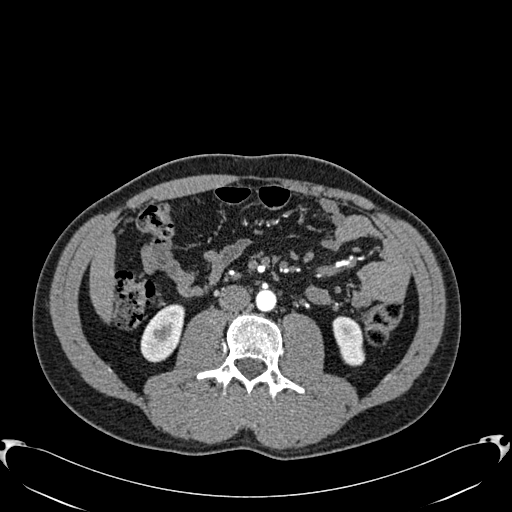
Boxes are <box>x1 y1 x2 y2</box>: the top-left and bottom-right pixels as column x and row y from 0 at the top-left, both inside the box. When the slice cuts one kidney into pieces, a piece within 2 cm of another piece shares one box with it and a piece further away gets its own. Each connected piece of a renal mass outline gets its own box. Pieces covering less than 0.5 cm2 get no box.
Slice 282/512 of a contrast-enhanced abdominal CT in the arterial phase, counting up from the lowest; pixel size 0.771 mm, slice thickness 1.00 mm. Boxed on this slice (two kidney boxes), listed by box centre from the image's left to its right: (1) At <box>140 304 184 362</box>: right kidney (outlined area 1,850 px, about 11.0 cm2). (2) At <box>332 316 365 366</box>: left kidney (outlined area 1,238 px, about 7.4 cm2). No renal mass is outlined on this slice.
Scan settings: 120 kVp, B30f reconstruction kernel.